Abdominal CT with intravenous contrast, arterial phase, axial plane, 120 kVp, kernel I30f. Slice 531/735 from the bottom of the scan; thickness 1.00 mm; pixel size 0.789 mm.
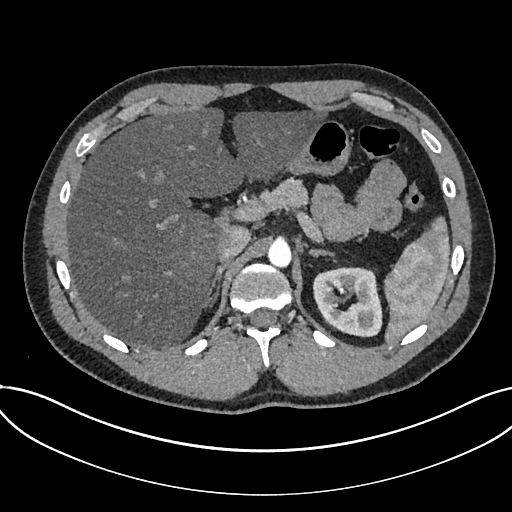
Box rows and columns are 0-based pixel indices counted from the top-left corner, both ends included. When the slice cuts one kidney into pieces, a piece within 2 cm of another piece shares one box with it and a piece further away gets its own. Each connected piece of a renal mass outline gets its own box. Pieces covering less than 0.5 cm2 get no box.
Box rows 267–337, columns 313–382: kidney (outlined area 3,849 px, about 24.0 cm2). No renal mass is outlined on this slice.